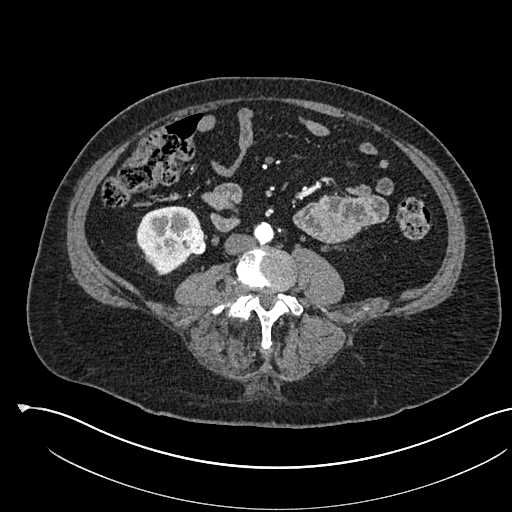
Arterial-phase contrast-enhanced abdominal CT, axial slice 210 of 541 (counted from the lowest slice); tube voltage 120 kVp, convolution kernel I30f; slices 1.00 mm thick, 0.834 mm per pixel.
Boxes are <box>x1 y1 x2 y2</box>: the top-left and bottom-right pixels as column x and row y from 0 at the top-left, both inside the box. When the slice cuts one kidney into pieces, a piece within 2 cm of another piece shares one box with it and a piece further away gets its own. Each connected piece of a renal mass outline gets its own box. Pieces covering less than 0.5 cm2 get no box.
Two boxes on this slice (one kidney box and one renal mass box), listed by box centre from the image's left to its right. (1) Right kidney at <box>136 206 200 275</box> (outlined area 2,882 px, about 20.0 cm2). (2) Right renal mass at <box>177 228 206 255</box> (outlined area 637 px, about 4.4 cm2).